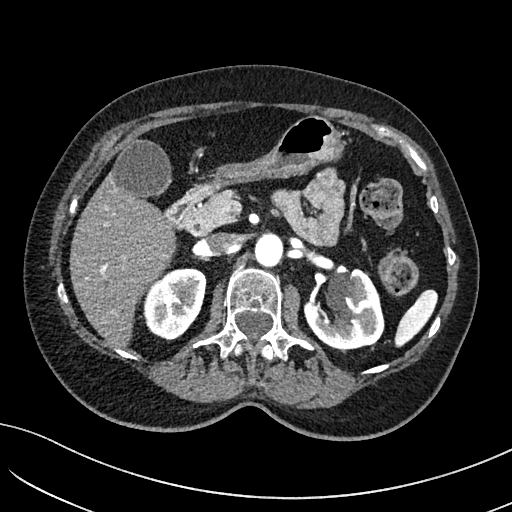
Axial slice 85 of 234 of a contrast-enhanced abdominal CT in the arterial phase (slice 1 is the lowest), 100 kVp, kernel I40f; 2.00 mm slice thickness and 0.699 mm pixels.
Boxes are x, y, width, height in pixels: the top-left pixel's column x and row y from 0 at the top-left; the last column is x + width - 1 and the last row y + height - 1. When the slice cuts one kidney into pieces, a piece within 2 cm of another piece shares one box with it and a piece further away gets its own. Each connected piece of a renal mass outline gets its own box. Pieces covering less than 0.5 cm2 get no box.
Two kidney boxes on this slice; by box centre, from the image's left to its right: (1) Right kidney at x 143, y 268, width 64, height 73 (outlined area 3,442 px, about 16.8 cm2). (2) Box x 303, y 268, width 82, height 81: left kidney (outlined area 4,502 px, about 22.0 cm2). This slice carries no renal mass outline.